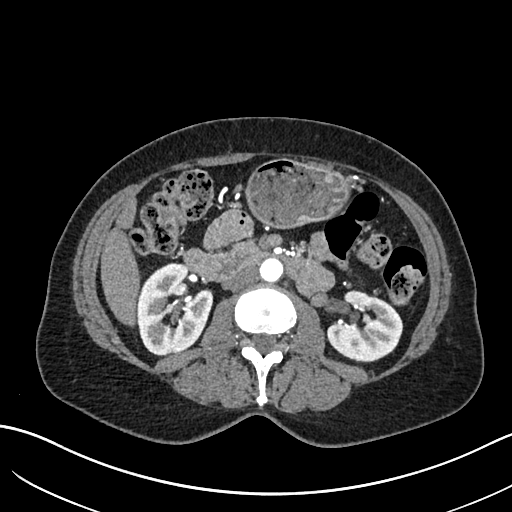
One axial slice (355 of 683, counting up from the lowest) of an arterial-phase abdominal CT acquired with 120 kVp, kernel I30f; each pixel is 0.738 mm and the slice is 1.00 mm thick.
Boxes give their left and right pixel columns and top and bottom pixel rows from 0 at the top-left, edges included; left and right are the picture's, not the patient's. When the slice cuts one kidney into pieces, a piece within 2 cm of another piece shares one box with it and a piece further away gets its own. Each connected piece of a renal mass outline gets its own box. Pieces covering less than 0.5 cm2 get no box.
Boxed on this slice (two kidney boxes), listed by box centre from the image's left to its right: (1) Right kidney in the box with left 136, top 262, right 213, bottom 356 (outlined area 5,267 px, about 28.7 cm2). (2) Box with left 328, top 291, right 403, bottom 362: left kidney (outlined area 3,726 px, about 20.3 cm2). This slice carries no renal mass outline.